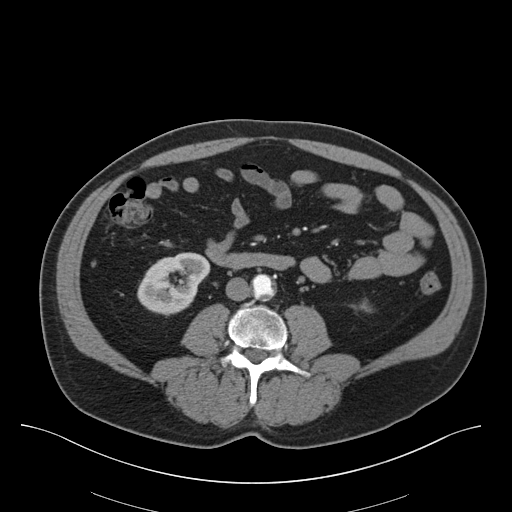
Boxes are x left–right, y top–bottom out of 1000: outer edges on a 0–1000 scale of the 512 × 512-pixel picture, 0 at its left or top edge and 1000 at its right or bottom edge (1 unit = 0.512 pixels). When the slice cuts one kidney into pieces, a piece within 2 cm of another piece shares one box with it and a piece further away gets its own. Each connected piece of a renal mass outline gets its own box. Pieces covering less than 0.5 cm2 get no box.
Slice 15/75 of a contrast-enhanced abdominal CT, counting up from the lowest; pixel size 0.875 mm, slice thickness 3.00 mm. Two kidney boxes on this slice; by box centre, from the image's left to its right: (1) Right kidney at x 268–412, y 492–619 out of 1000 (outlined area 3,205 px, about 24.5 cm2). (2) Left kidney at x 686–727, y 584–609 out of 1000 (outlined area 125 px, about 1.0 cm2). No renal mass is outlined on this slice.
Acquired at 140 kVp and reconstructed with the B30f kernel.